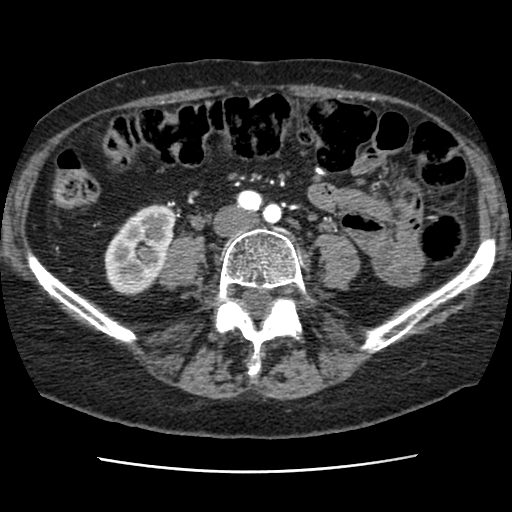
One axial slice (18 of 76, counting up from the lowest) of a contrast-enhanced abdominal CT acquired with 120 kVp, kernel STANDARD; each pixel is 0.586 mm and the slice is 2.50 mm thick.
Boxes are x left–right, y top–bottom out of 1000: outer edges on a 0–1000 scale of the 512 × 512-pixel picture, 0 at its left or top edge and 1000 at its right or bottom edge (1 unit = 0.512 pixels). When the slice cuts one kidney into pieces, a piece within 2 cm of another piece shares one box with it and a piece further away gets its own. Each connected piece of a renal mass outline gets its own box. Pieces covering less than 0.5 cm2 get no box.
Box x 203–342, y 398–578 out of 1000: right kidney (outlined area 4,590 px, about 15.8 cm2). No renal mass outline on this slice.